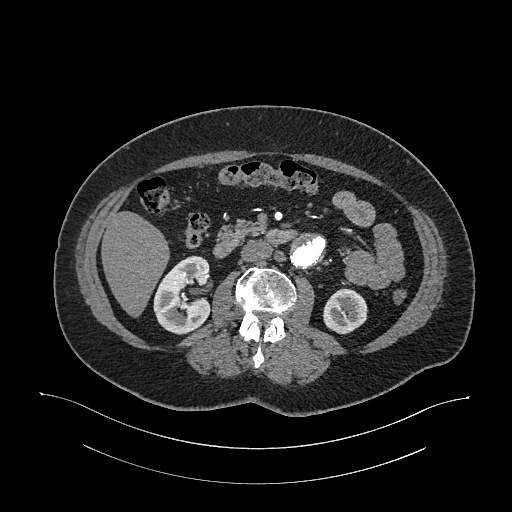
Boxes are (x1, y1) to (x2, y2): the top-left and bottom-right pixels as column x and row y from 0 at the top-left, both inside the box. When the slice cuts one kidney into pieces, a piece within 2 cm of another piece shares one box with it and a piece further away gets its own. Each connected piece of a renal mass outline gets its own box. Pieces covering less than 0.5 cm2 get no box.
This is axial slice 611 of 987 (slice 1 is the lowest) of an arterial-phase abdominal CT with contrast; each pixel is 0.977 mm and the slice is 1.00 mm thick. Two kidney boxes on this slice; by box centre, from the image's left to its right: (1) Right kidney from (153, 255) to (210, 334) (outlined area 3,424 px, about 32.7 cm2). (2) Box (323, 288) to (367, 334): left kidney (outlined area 1,584 px, about 15.1 cm2). No renal mass is outlined on this slice.
Scan settings: 120 kVp, I26f reconstruction kernel.